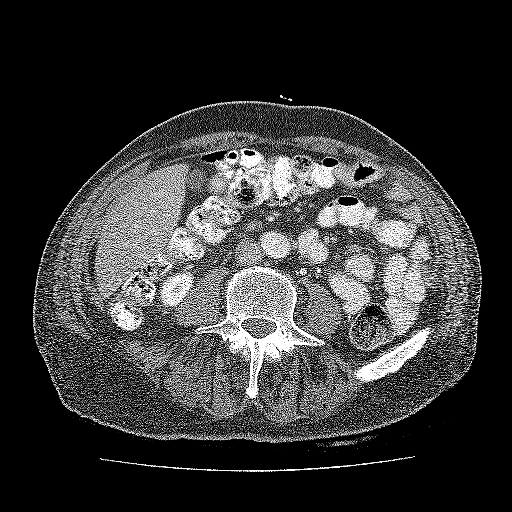
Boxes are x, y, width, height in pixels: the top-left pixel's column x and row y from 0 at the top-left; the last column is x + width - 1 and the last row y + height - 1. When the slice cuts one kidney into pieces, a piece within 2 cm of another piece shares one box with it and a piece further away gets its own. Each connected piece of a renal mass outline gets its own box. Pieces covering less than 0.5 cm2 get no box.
Contrast-enhanced abdominal CT, axial slice 76 of 137 (counted from the lowest slice); 3.00 mm thick, 0.741 mm per pixel. Kidney, box x 157, y 273, width 38, height 41 (outlined area 959 px, about 5.3 cm2). No renal mass outline on this slice.
Acquired at 120 kVp and reconstructed with the FC52 kernel.